One axial slice (56 of 102, counting up from the lowest) of a contrast-enhanced abdominal CT acquired with 120 kVp, kernel I40f; each pixel is 0.977 mm and the slice is 5.00 mm thick.
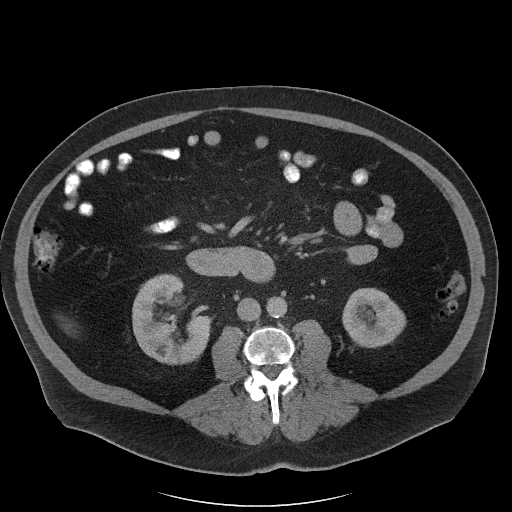
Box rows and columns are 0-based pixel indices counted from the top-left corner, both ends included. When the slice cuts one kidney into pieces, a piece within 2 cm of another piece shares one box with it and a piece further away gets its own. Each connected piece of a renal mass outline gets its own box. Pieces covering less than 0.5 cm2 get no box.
Two boxes on this slice (two kidney boxes), listed by box centre from the image's left to its right. (1) Box rows 274–364, columns 132–212: right kidney (outlined area 4,897 px, about 46.7 cm2). (2) Left kidney, box rows 288–347, columns 342–406 (outlined area 2,888 px, about 27.5 cm2). No renal mass outline on this slice.